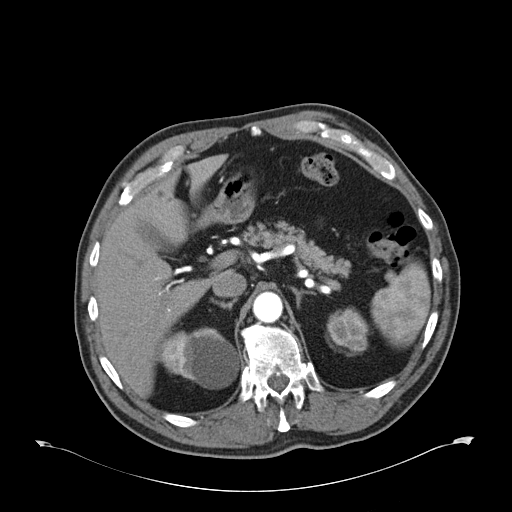
One axial slice (42 of 59, counting up from the lowest) of an arterial-phase abdominal CT acquired with 120 kVp, kernel B30f; each pixel is 0.871 mm and the slice is 5.00 mm thick.
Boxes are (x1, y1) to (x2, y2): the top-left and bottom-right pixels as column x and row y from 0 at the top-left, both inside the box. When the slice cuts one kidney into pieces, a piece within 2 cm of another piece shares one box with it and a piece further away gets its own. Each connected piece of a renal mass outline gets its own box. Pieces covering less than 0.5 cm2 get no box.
Two boxes on this slice (two kidney boxes), listed by box centre from the image's left to its right. (1) Right kidney from (160, 327) to (238, 388) (outlined area 3,572 px, about 27.1 cm2). (2) Box (326, 307) to (368, 356): left kidney (outlined area 1,494 px, about 11.3 cm2). No renal mass outline on this slice.